Axial slice 80 of 301 of a contrast-enhanced abdominal CT (slice 1 is the lowest), 120 kVp, kernel I40f; 2.00 mm slice thickness and 0.859 mm pixels.
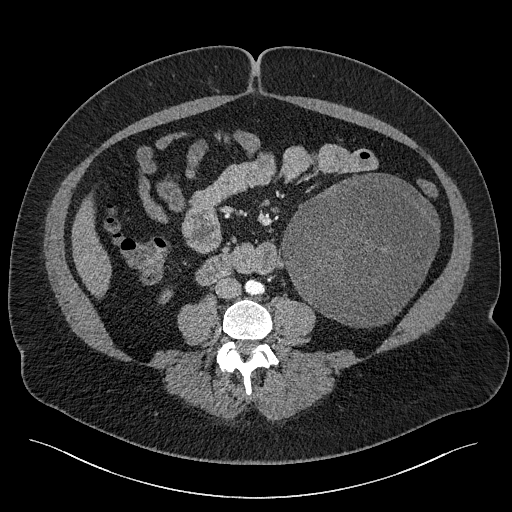
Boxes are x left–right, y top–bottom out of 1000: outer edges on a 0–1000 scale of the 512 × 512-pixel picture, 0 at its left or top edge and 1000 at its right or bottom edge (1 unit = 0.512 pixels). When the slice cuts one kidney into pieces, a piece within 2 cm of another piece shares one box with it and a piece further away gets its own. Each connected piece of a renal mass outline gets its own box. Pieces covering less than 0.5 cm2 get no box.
One kidney box and one renal mass box on this slice; by box centre, from the image's left to its right: (1) Right kidney at x 311–340, y 564–594 out of 1000 (outlined area 140 px, about 1.0 cm2). (2) Left renal mass, box x 547–859, y 338–641 out of 1000 (outlined area 18,175 px, about 134.2 cm2); on this slice it lies more than 1 cm from any kidney outline, but the same outlined renal mass comes within 1 cm of the kidney on another slice.